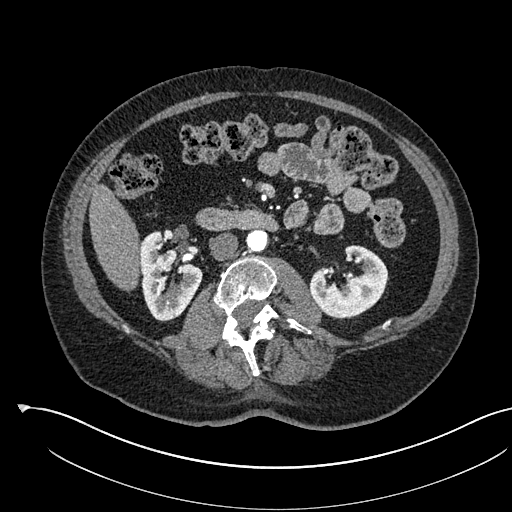
Arterial-phase contrast-enhanced abdominal CT, axial slice 293 of 541 (counted from the lowest slice); tube voltage 120 kVp, convolution kernel I30f; slices 1.00 mm thick, 0.834 mm per pixel.
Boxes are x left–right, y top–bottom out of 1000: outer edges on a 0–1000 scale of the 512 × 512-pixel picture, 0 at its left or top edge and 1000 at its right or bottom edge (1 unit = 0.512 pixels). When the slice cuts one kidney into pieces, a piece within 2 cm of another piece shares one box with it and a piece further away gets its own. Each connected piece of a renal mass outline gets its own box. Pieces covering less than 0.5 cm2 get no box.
Boxed on this slice (two kidney boxes), listed by box centre from the image's left to its right: (1) Box x 273–395, y 449–629 out of 1000: right kidney (outlined area 3,766 px, about 26.2 cm2). (2) Left kidney, box x 604–760, y 479–625 out of 1000 (outlined area 3,764 px, about 26.2 cm2). No renal mass is outlined on this slice.